Arterial-phase contrast-enhanced abdominal CT, axial slice 64 of 102 (counted from the lowest slice); tube voltage 100 kVp, convolution kernel I40f; slices 5.00 mm thick, 0.781 mm per pixel.
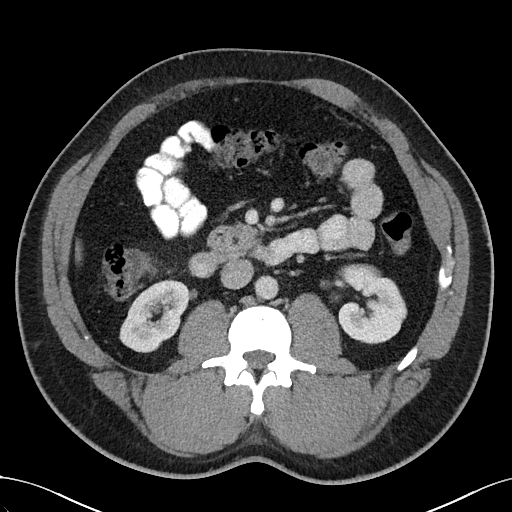
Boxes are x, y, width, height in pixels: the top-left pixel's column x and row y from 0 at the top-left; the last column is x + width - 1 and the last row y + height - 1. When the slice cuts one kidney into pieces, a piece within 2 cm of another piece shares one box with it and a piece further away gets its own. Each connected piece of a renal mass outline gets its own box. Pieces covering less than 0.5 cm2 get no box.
Two boxes on this slice (two kidney boxes), listed by box centre from the image's left to its right. (1) Right kidney at x 119, y 279, width 72, height 74 (outlined area 3,466 px, about 21.2 cm2). (2) Box x 333, y 264, width 75, height 81: left kidney (outlined area 4,074 px, about 24.9 cm2).